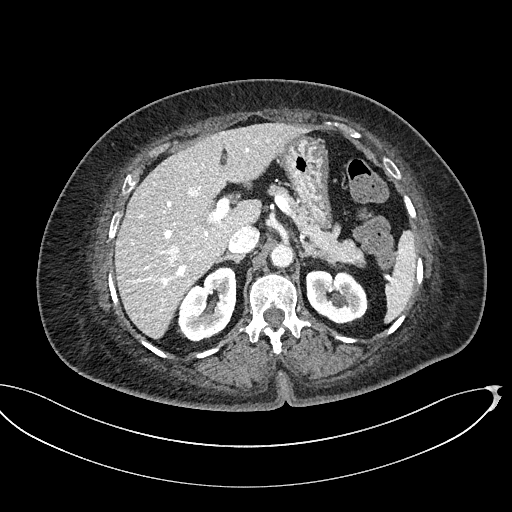
Axial slice 341 of 439 of a contrast-enhanced abdominal CT (slice 1 is the lowest), 100 kVp, kernel I40f; 2.00 mm slice thickness and 0.850 mm pixels.
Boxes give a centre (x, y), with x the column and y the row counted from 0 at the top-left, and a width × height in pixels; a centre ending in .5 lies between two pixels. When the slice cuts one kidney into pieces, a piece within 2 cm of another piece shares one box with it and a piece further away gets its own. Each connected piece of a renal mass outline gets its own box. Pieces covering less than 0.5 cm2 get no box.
Two kidney boxes on this slice; by box centre, from the image's left to its right: (1) Right kidney, box centre (206.5, 304), 60 × 75 pixels (outlined area 3,205 px, about 23.1 cm2). (2) Box centre (336.5, 296.5), 64 × 56 pixels: left kidney (outlined area 2,645 px, about 19.1 cm2). This slice carries no renal mass outline.